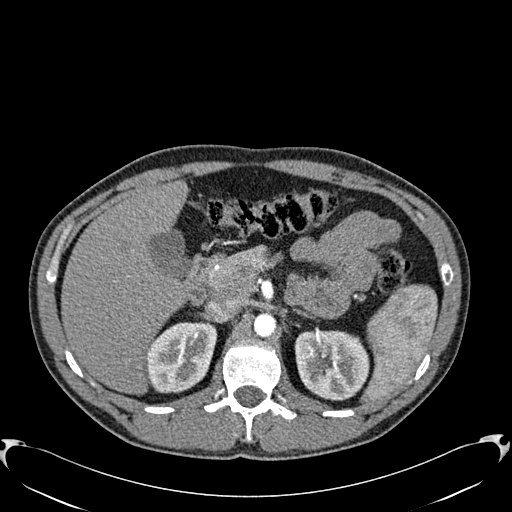
One axial slice (407 of 512, counting up from the lowest) of an arterial-phase abdominal CT acquired with 120 kVp, kernel B30f; each pixel is 0.771 mm and the slice is 1.00 mm thick.
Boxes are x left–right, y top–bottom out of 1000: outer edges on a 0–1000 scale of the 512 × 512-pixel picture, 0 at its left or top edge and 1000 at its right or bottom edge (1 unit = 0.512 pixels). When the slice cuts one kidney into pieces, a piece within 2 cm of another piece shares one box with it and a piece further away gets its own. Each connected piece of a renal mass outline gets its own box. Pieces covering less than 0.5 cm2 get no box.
Two boxes on this slice (two kidney boxes), listed by box centre from the image's left to its right. (1) Right kidney, box x 285–426, y 627–770 out of 1000 (outlined area 3,992 px, about 23.8 cm2). (2) Box x 574–723, y 645–783 out of 1000: left kidney (outlined area 4,340 px, about 25.8 cm2). No renal mass is outlined on this slice.